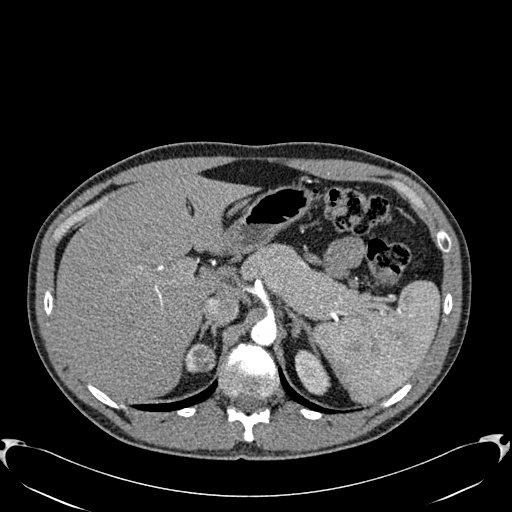
Arterial-phase contrast-enhanced abdominal CT, axial slice 451 of 512 (counted from the lowest slice); tube voltage 120 kVp, convolution kernel B30f; slices 1.00 mm thick, 0.771 mm per pixel.
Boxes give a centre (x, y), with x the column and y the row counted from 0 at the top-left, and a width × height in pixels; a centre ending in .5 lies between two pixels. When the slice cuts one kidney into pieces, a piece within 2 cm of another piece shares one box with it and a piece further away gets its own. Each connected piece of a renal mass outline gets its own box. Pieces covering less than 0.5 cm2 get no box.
Boxed on this slice (two kidney boxes and one renal mass box), listed by box centre from the image's left to its right: (1) Right kidney, box centre (191.5, 357.5), 14 × 30 pixels (outlined area 203 px, about 1.2 cm2). (2) Right renal mass in a box with centre (203.5, 357.5), 24 × 30 pixels (outlined area 547 px, about 3.3 cm2). (3) Box centre (312.5, 372.5), 36 × 46 pixels: left kidney (outlined area 1,119 px, about 6.7 cm2).